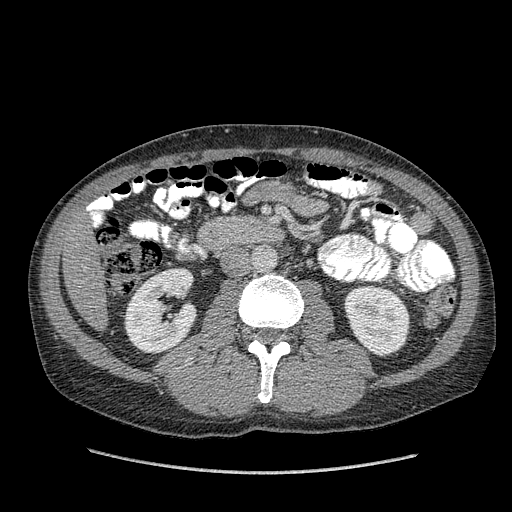
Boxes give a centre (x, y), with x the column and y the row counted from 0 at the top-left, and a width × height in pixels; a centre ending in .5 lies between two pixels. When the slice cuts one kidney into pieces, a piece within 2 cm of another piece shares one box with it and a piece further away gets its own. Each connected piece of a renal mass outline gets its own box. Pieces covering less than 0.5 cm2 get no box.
Slice 188/349 of a contrast-enhanced abdominal CT in the arterial phase, counting up from the lowest; pixel size 0.742 mm, slice thickness 1.25 mm. Boxed on this slice (two kidney boxes), listed by box centre from the image's left to its right: (1) Box centre (160, 310.5), 73 × 88 pixels: right kidney (outlined area 4,629 px, about 25.5 cm2). (2) Left kidney, box centre (377, 320.5), 67 × 72 pixels (outlined area 3,704 px, about 20.4 cm2). No renal mass is outlined on this slice.
Scan settings: 120 kVp, STANDARD reconstruction kernel.